One axial slice (346 of 1059, counting up from the lowest) of an arterial-phase abdominal CT acquired with 100 kVp, kernel I30f; each pixel is 0.811 mm and the slice is 1.00 mm thick.
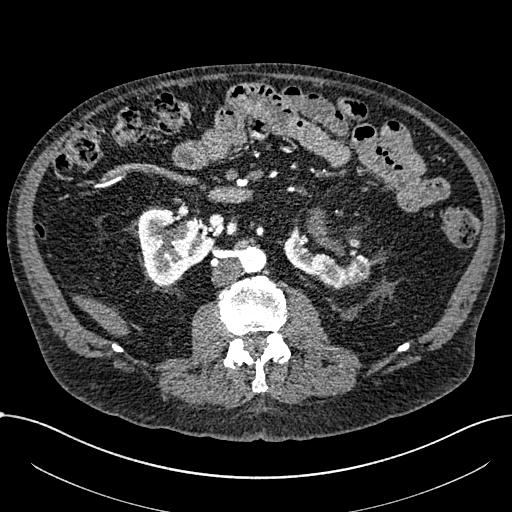
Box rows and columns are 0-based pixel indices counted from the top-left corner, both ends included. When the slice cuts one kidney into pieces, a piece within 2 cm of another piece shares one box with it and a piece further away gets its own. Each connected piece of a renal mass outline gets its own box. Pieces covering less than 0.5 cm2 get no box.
Two boxes on this slice (two kidney boxes), listed by box centre from the image's left to its right. (1) Box rows 206–286, columns 137–213: right part of the midline-crossing kidney (outlined area 4,139 px, about 27.2 cm2). (2) Left part of the midline-crossing kidney at rows 232–289, columns 283–371 (outlined area 2,777 px, about 18.2 cm2). No renal mass is outlined on this slice.